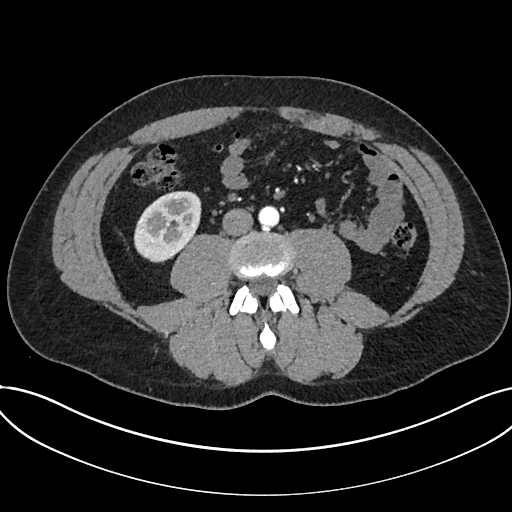
One axial slice (302 of 735, counting up from the lowest) of an arterial-phase abdominal CT acquired with 120 kVp, kernel I30f; each pixel is 0.789 mm and the slice is 1.00 mm thick.
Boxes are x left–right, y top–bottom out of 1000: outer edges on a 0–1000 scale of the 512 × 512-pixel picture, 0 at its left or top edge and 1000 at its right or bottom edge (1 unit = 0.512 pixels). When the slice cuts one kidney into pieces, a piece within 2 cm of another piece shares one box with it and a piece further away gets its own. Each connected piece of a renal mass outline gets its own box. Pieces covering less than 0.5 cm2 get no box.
Kidney, box x 260–395, y 373–514 out of 1000 (outlined area 3,567 px, about 22.2 cm2). This slice carries no renal mass outline.